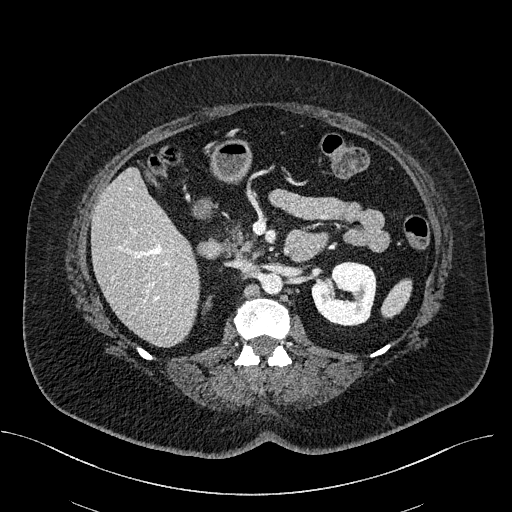
Contrast-enhanced abdominal CT, axial slice 312 of 470 (counted from the lowest slice); tube voltage 100 kVp, convolution kernel I40f; slices 2.00 mm thick, 0.824 mm per pixel.
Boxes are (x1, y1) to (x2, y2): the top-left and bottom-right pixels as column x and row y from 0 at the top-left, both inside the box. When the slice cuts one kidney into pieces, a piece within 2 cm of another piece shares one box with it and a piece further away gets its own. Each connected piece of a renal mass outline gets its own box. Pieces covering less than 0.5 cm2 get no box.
Boxed on this slice (two kidney boxes), listed by box centre from the image's left to its right: (1) Right kidney, box (202, 296) to (211, 312) (outlined area 101 px, about 0.7 cm2). (2) Left kidney from (311, 261) to (376, 326) (outlined area 3,218 px, about 21.9 cm2). No renal mass outline on this slice.